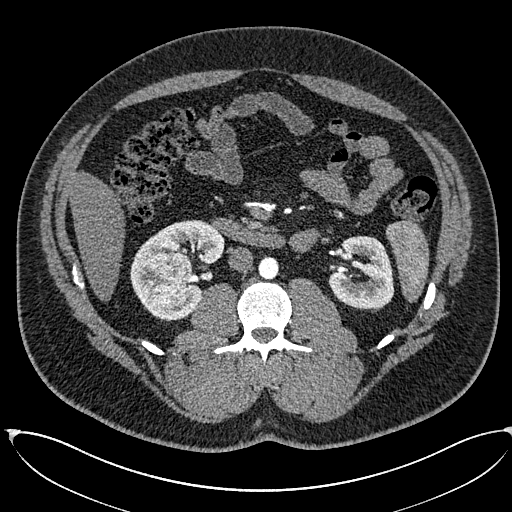
Abdominal CT with intravenous contrast, arterial phase, axial plane, 120 kVp, kernel I30f. Slice 322/673 from the bottom of the scan; thickness 1.00 mm; pixel size 0.855 mm.
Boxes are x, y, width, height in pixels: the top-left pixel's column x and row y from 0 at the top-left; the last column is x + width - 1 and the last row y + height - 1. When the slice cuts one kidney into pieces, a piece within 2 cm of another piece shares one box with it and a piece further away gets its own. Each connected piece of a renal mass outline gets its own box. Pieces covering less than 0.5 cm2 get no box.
Boxed on this slice (two kidney boxes and one renal mass box), listed by box centre from the image's left to its right: (1) Right renal mass, box x 149, y 252, width 45, height 56 (outlined area 1,971 px, about 14.4 cm2). (2) Box x 130, y 220, width 95, height 101: right kidney (outlined area 4,614 px, about 33.8 cm2). (3) Left kidney, box x 328, y 235, width 67, height 75 (outlined area 3,671 px, about 26.9 cm2).